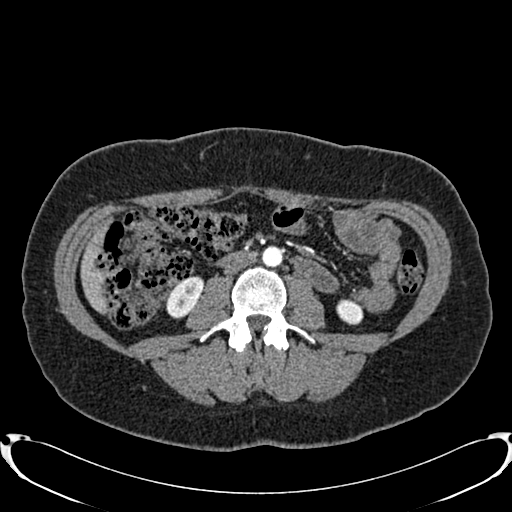
Arterial-phase contrast-enhanced abdominal CT, axial slice 378 of 719 (counted from the lowest slice); tube voltage 120 kVp, convolution kernel B20f; slices 1.00 mm thick, 0.766 mm per pixel.
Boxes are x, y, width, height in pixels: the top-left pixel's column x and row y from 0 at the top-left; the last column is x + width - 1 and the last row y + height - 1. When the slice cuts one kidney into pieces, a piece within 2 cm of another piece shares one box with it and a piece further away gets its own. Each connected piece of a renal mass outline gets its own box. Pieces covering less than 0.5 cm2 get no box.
Two boxes on this slice (two kidney boxes), listed by box centre from the image's left to its right. (1) Box x 165, y 277, width 39, height 43: right kidney (outlined area 1,095 px, about 6.4 cm2). (2) Left kidney, box x 336, y 299, width 28, height 27 (outlined area 556 px, about 3.3 cm2). This slice carries no renal mass outline.